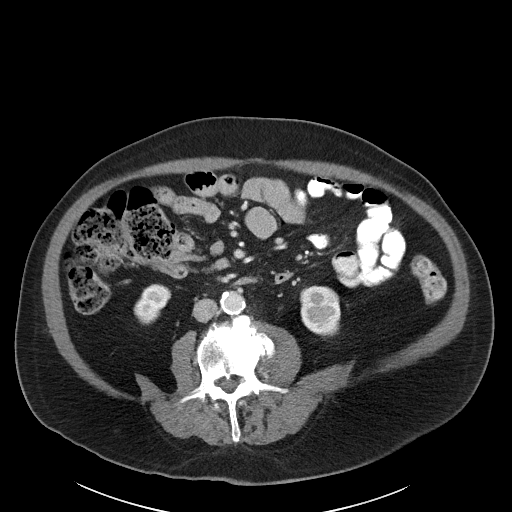
One axial slice (51 of 89, counting up from the lowest) of an arterial-phase abdominal CT acquired with 100 kVp, kernel I40f; each pixel is 0.885 mm and the slice is 5.00 mm thick.
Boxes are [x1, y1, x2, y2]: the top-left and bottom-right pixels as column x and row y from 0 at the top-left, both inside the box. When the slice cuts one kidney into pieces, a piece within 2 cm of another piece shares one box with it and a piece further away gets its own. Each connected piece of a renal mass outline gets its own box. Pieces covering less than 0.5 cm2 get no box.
Two kidney boxes on this slice; by box centre, from the image's left to its right: (1) Right kidney, box [133, 284, 171, 324] (outlined area 1,028 px, about 8.0 cm2). (2) Left kidney at [300, 285, 340, 336] (outlined area 1,774 px, about 13.9 cm2). This slice carries no renal mass outline.